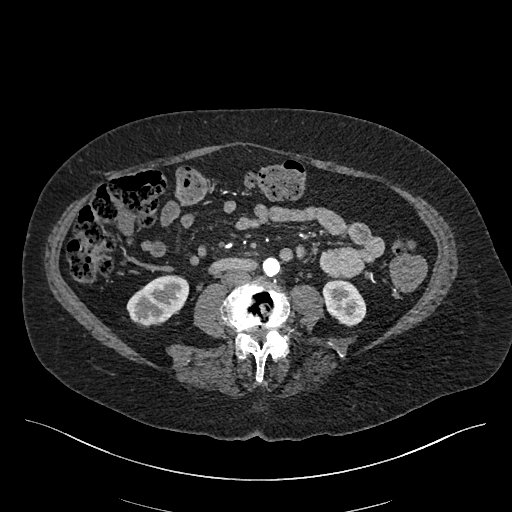
Axial slice 172 of 548 of a contrast-enhanced abdominal CT in the arterial phase (slice 1 is the lowest), 120 kVp, kernel I26f; 1.00 mm slice thickness and 0.852 mm pixels.
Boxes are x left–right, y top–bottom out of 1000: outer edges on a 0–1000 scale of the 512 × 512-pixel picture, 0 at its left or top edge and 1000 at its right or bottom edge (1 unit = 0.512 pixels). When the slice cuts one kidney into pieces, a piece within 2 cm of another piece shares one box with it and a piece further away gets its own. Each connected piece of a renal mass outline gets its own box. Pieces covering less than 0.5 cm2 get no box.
Two kidney boxes on this slice; by box centre, from the image's left to its right: (1) Box x 246–371, y 537–639 out of 1000: right kidney (outlined area 2,265 px, about 16.4 cm2). (2) Left kidney, box x 629–717, y 545–639 out of 1000 (outlined area 1,543 px, about 11.2 cm2). No renal mass outline on this slice.